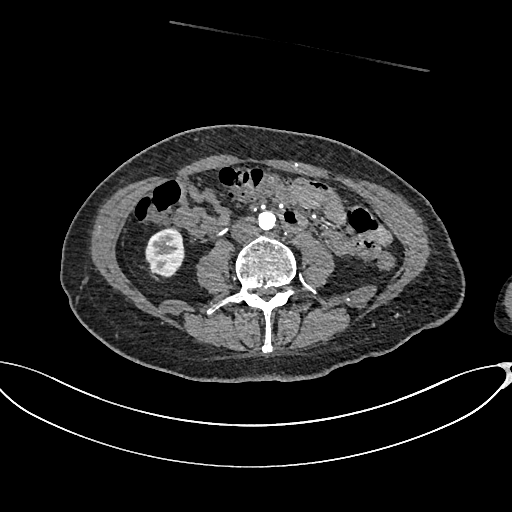
One axial slice (292 of 665, counting up from the lowest) of an arterial-phase abdominal CT acquired with 100 kVp, kernel I26f; each pixel is 0.828 mm and the slice is 1.00 mm thick.
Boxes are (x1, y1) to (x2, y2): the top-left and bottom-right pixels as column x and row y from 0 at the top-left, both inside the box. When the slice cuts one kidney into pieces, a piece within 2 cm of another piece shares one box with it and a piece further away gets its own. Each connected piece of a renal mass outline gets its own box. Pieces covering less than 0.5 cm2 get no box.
Right kidney, box (145, 228) to (184, 276) (outlined area 1,509 px, about 10.3 cm2). No renal mass is outlined on this slice.